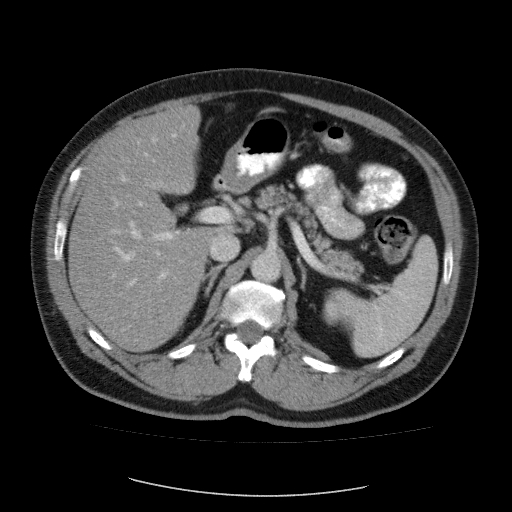
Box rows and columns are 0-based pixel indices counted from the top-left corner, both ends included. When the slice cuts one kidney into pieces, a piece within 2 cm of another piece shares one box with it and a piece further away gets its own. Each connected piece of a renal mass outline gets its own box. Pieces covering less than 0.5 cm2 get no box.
This is axial slice 64 of 87 (slice 1 is the lowest) of an abdominal CT with contrast; each pixel is 0.812 mm and the slice is 5.00 mm thick. Left kidney at rows 297–325, columns 323–339 (outlined area 362 px, about 2.4 cm2). No renal mass is outlined on this slice.
Tube voltage 120 kVp; convolution kernel FC12.